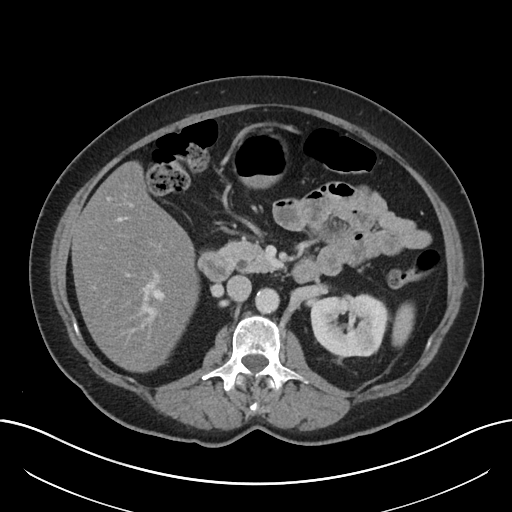
Abdominal CT with intravenous contrast, axial plane, 120 kVp, kernel I30f. Slice 122/197 from the bottom of the scan; thickness 5.00 mm; pixel size 0.791 mm.
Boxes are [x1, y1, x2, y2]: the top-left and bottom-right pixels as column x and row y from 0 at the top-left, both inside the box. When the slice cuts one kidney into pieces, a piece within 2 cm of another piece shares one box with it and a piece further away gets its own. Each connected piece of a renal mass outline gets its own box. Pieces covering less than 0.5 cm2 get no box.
Left kidney at [310, 293, 388, 357] (outlined area 4,114 px, about 25.7 cm2). No renal mass is outlined on this slice.